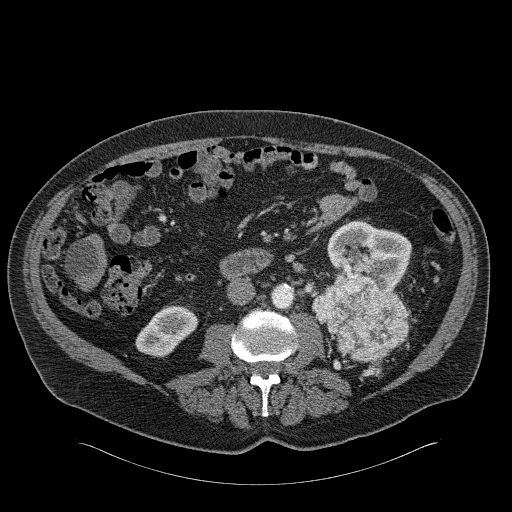
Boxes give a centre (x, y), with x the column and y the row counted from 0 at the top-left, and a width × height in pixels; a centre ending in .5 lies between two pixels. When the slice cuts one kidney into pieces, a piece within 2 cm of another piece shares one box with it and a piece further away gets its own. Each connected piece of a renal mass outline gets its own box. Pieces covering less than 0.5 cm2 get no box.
This is axial slice 94 of 326 (slice 1 is the lowest) of an arterial-phase abdominal CT with contrast; each pixel is 0.963 mm and the slice is 2.00 mm thick. Two kidney boxes and one renal mass box on this slice; by box centre, from the image's left to its right: (1) Right kidney, box centre (166.5, 330.5), 64 × 52 pixels (outlined area 2,136 px, about 19.8 cm2). (2) Box centre (359.5, 323.5), 98 × 94 pixels: left renal mass (outlined area 5,936 px, about 55.0 cm2). (3) Box centre (364.5, 255.5), 96 × 72 pixels: left kidney (outlined area 4,496 px, about 41.7 cm2).
Acquired at 120 kVp and reconstructed with the B31f kernel.